Abdominal CT with intravenous contrast, axial plane, 100 kVp, kernel I30f. Slice 115/178 from the bottom of the scan; thickness 5.00 mm; pixel size 0.650 mm.
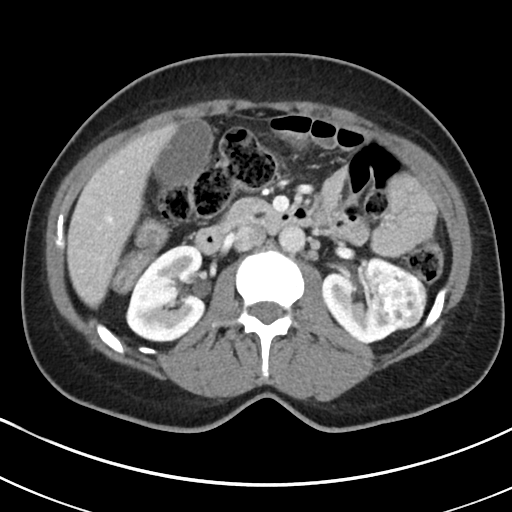
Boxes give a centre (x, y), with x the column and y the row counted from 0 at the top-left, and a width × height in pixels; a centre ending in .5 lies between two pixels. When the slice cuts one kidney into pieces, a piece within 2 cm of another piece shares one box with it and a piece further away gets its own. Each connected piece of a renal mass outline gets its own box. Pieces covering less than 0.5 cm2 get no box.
Boxed on this slice (two kidney boxes and one renal mass box), listed by box centre from the image's left to its right: (1) Right kidney in a box with centre (165, 293), 81 × 99 pixels (outlined area 5,923 px, about 25.1 cm2). (2) Left kidney in a box with centre (363.5, 299), 84 × 89 pixels (outlined area 4,316 px, about 18.3 cm2). (3) Left renal mass, box centre (401.5, 299.5), 52 × 60 pixels (outlined area 2,325 px, about 9.8 cm2).